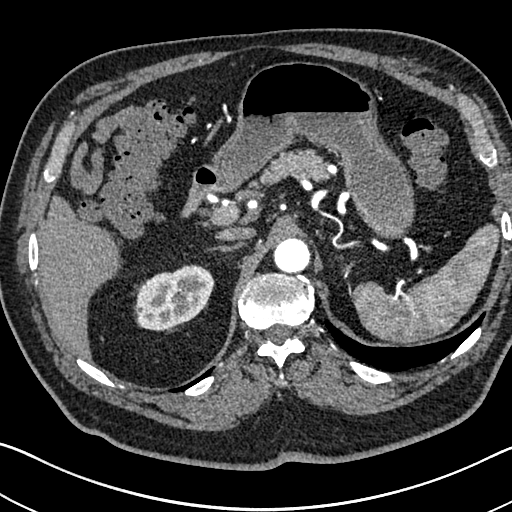
Abdominal CT with intravenous contrast, arterial phase, axial plane, 120 kVp, kernel I30f. Slice 531/705 from the bottom of the scan; thickness 1.00 mm; pixel size 0.703 mm.
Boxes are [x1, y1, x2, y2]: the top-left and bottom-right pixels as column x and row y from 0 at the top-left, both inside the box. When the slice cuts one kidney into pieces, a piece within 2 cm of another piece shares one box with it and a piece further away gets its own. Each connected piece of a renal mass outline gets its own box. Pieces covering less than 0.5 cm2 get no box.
Box [136, 264, 213, 331]: right kidney (outlined area 3,833 px, about 18.9 cm2). This slice carries no renal mass outline.